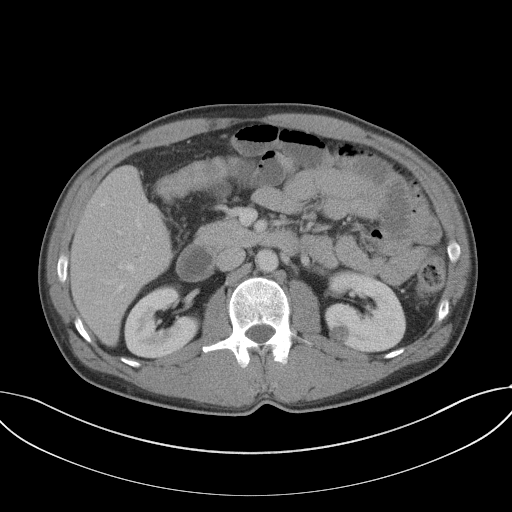
Axial slice 66 of 102 of a contrast-enhanced abdominal CT (slice 1 is the lowest), 120 kVp, kernel B41f; 5.00 mm slice thickness and 0.807 mm pixels.
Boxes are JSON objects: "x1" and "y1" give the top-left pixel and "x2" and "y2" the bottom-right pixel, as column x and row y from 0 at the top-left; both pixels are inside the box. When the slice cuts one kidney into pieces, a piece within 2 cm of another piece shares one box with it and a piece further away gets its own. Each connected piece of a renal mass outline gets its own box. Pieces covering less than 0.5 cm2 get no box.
Boxed on this slice (two kidney boxes and one renal mass box), listed by box centre from the image's left to its right: (1) Right kidney, box {"x1": 124, "y1": 286, "x2": 200, "y2": 358} (outlined area 3,777 px, about 24.6 cm2). (2) Left renal mass, box {"x1": 329, "y1": 325, "x2": 348, "y2": 345} (outlined area 307 px, about 2.0 cm2). (3) Left kidney at {"x1": 324, "y1": 270, "x2": 406, "y2": 351} (outlined area 4,853 px, about 31.6 cm2).